Abdominal CT with intravenous contrast, arterial phase, axial plane, 100 kVp, kernel I30f. Slice 167/304 from the bottom of the scan; thickness 2.00 mm; pixel size 0.809 mm.
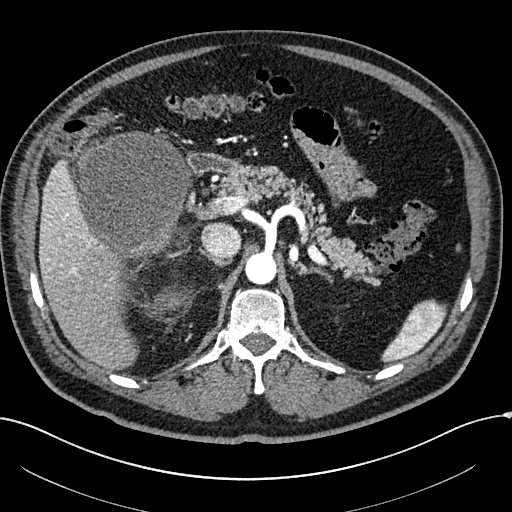
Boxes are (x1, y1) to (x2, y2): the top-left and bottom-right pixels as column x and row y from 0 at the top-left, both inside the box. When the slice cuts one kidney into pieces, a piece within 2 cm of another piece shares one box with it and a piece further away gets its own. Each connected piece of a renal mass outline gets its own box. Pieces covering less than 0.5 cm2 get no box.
One kidney box and one renal mass box on this slice; by box centre, from the image's left to its right: (1) Right renal mass, box (78, 131) to (192, 262) (outlined area 11,440 px, about 74.8 cm2); on this slice it lies more than 1 cm from any kidney outline, but the same outlined renal mass comes within 1 cm of the kidney on another slice. (2) Right kidney, box (158, 288) to (182, 310) (outlined area 407 px, about 2.7 cm2).